Axial slice 450 of 738 of a contrast-enhanced abdominal CT in the arterial phase (slice 1 is the lowest), 120 kVp, kernel I30f; 1.00 mm slice thickness and 0.789 mm pixels.
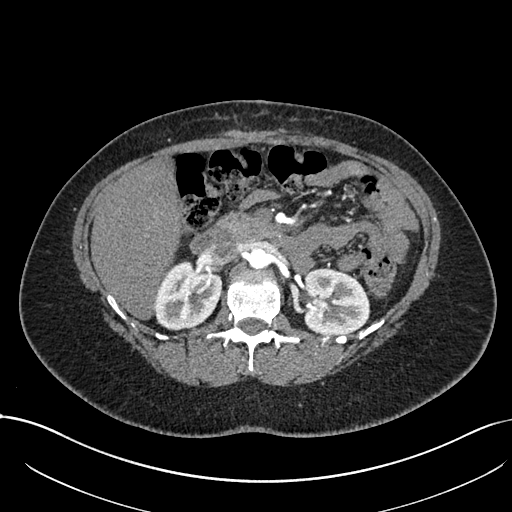
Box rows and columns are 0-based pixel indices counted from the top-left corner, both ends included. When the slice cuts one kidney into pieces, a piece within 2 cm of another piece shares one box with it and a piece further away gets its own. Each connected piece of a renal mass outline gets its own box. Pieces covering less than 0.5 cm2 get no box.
Boxed on this slice (two kidney boxes), listed by box centre from the image's left to its right: (1) Right kidney, box rows 259–331, columns 155–222 (outlined area 3,654 px, about 22.8 cm2). (2) Left kidney at rows 268–336, columns 303–370 (outlined area 3,802 px, about 23.7 cm2). No renal mass outline on this slice.